Axial slice 256 of 389 of a contrast-enhanced abdominal CT in the arterial phase (slice 1 is the lowest), 120 kVp, kernel STANDARD; 1.25 mm slice thickness and 0.869 mm pixels.
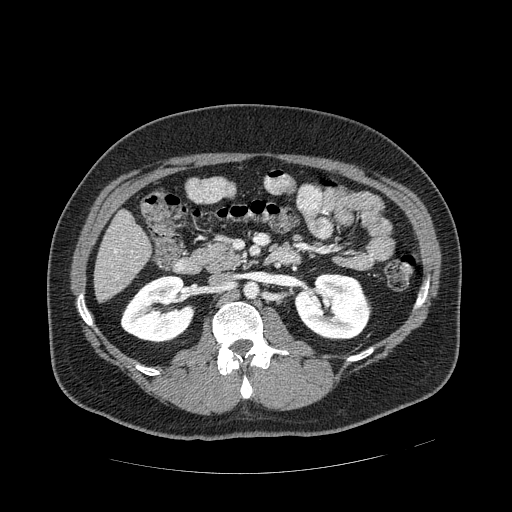
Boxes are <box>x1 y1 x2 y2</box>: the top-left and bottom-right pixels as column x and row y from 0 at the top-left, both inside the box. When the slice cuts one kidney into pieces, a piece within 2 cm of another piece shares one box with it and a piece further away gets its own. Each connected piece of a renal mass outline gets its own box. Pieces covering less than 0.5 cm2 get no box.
Two kidney boxes and one renal mass box on this slice; by box centre, from the image's left to its right: (1) Right kidney at <box>120 275 195 342</box> (outlined area 3,682 px, about 27.8 cm2). (2) Left kidney: <box>294 273 370 339</box> (outlined area 3,742 px, about 28.3 cm2). (3) Left renal mass at <box>353 303 371 316</box> (outlined area 205 px, about 1.5 cm2).